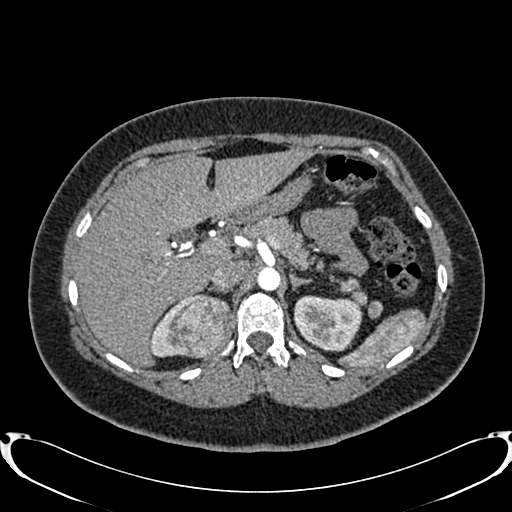
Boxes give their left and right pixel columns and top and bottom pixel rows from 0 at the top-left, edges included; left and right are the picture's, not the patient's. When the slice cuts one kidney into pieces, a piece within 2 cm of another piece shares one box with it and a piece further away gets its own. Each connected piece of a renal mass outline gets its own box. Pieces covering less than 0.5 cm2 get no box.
Slice 570/719 of a contrast-enhanced abdominal CT in the arterial phase, counting up from the lowest; pixel size 0.766 mm, slice thickness 1.00 mm. Two kidney boxes and one renal mass box on this slice; by box centre, from the image's left to its right: (1) Right kidney, the box with left 148, top 297, right 189, bottom 357 (outlined area 802 px, about 4.7 cm2). (2) Right renal mass, the box with left 166, top 293, right 232, bottom 358 (outlined area 3,297 px, about 19.3 cm2). (3) Left kidney, the box with left 293, top 295, right 362, bottom 351 (outlined area 3,061 px, about 17.9 cm2).
Tube voltage 120 kVp; convolution kernel B20f.